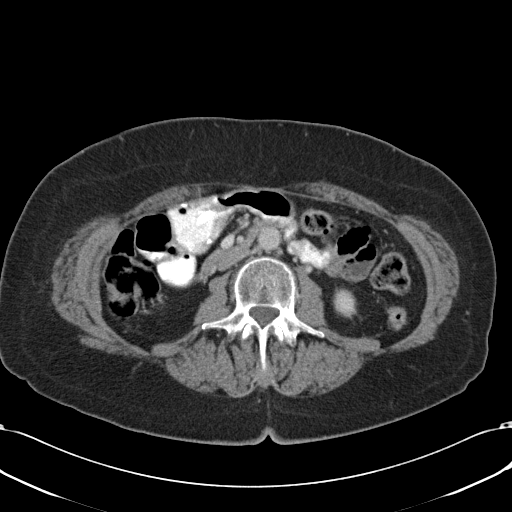
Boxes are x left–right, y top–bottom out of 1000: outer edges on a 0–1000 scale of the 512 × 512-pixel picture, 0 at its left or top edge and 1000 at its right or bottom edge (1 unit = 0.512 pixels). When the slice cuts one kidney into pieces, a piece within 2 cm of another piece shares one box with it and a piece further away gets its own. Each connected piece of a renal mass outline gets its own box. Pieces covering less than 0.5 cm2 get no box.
Contrast-enhanced abdominal CT, axial slice 53 of 90 (counted from the lowest slice); 5.00 mm thick, 0.707 mm per pixel. Box x 650–695, y 564–617 out of 1000: left kidney (outlined area 491 px, about 2.5 cm2). No renal mass is outlined on this slice.
Tube voltage 120 kVp; convolution kernel B31f.